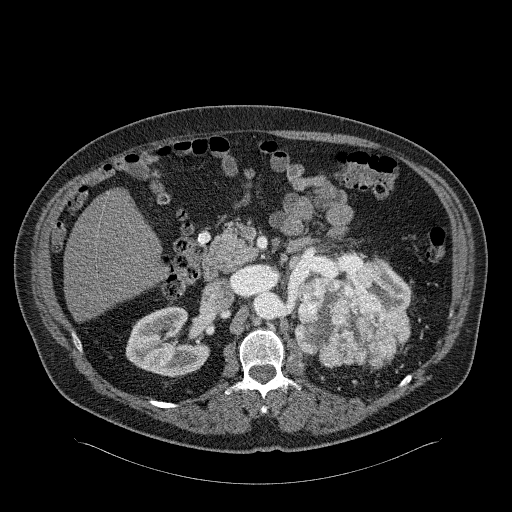
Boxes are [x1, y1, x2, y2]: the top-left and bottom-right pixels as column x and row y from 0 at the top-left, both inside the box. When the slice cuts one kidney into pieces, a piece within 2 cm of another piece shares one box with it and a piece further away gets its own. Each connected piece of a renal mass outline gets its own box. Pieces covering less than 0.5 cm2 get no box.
This is axial slice 145 of 326 (slice 1 is the lowest) of an arterial-phase abdominal CT with contrast; each pixel is 0.963 mm and the slice is 2.00 mm thick. Two kidney boxes and one renal mass box on this slice; by box centre, from the image's left to its right: (1) Right kidney, box [125, 305, 209, 377] (outlined area 4,284 px, about 39.7 cm2). (2) Box [294, 262, 410, 369]: left renal mass (outlined area 8,510 px, about 78.9 cm2). (3) Left kidney at [368, 259, 410, 310] (outlined area 1,347 px, about 12.5 cm2).
Acquired at 120 kVp and reconstructed with the B31f kernel.